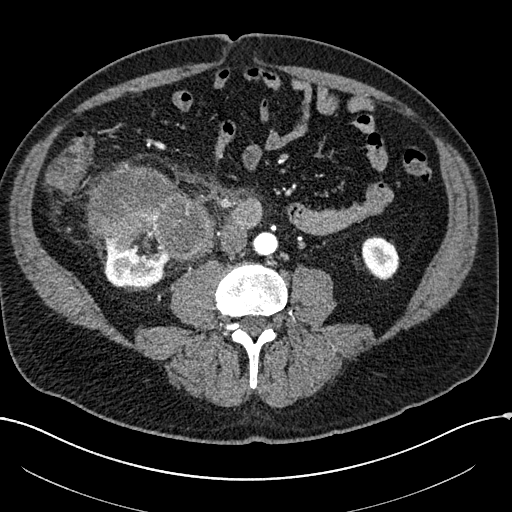
Abdominal CT with intravenous contrast, arterial phase, axial plane, 100 kVp, kernel I30f. Slice 51/304 from the bottom of the scan; thickness 2.00 mm; pixel size 0.809 mm.
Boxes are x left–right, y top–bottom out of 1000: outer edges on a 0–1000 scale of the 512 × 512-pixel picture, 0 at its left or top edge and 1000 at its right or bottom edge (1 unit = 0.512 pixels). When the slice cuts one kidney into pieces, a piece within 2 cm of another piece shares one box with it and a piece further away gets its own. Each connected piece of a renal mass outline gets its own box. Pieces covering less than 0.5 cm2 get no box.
Two kidney boxes and one renal mass box on this slice; by box centre, from the image's left to its right: (1) Box x 203–342, y 453–563 out of 1000: right kidney (outlined area 2,726 px, about 17.8 cm2). (2) Box x 168–422, y 318–514 out of 1000: right renal mass (outlined area 8,229 px, about 53.8 cm2). (3) Box x 705–781, y 461–549 out of 1000: left kidney (outlined area 1,288 px, about 8.4 cm2).